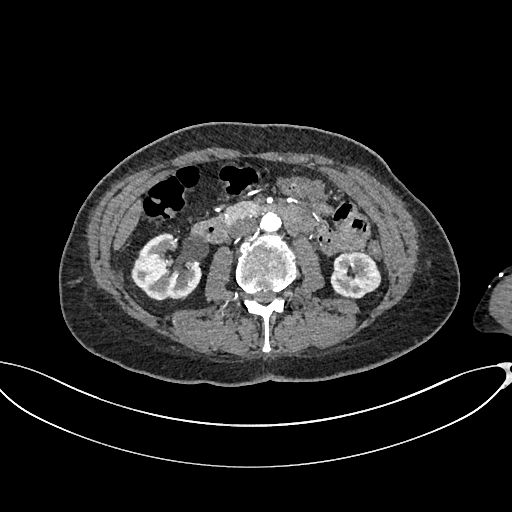
Axial slice 354 of 665 of a contrast-enhanced abdominal CT in the arterial phase (slice 1 is the lowest), 100 kVp, kernel I26f; 1.00 mm slice thickness and 0.828 mm pixels.
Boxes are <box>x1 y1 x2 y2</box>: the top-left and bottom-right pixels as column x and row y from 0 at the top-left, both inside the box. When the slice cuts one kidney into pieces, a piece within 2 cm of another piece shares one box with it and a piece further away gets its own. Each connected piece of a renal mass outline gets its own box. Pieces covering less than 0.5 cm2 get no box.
Two boxes on this slice (two kidney boxes), listed by box centre from the image's left to its right. (1) At <box>131 234 201 300</box>: right kidney (outlined area 3,355 px, about 23.0 cm2). (2) At <box>330 251 381 299</box>: left kidney (outlined area 1,903 px, about 13.1 cm2). This slice carries no renal mass outline.